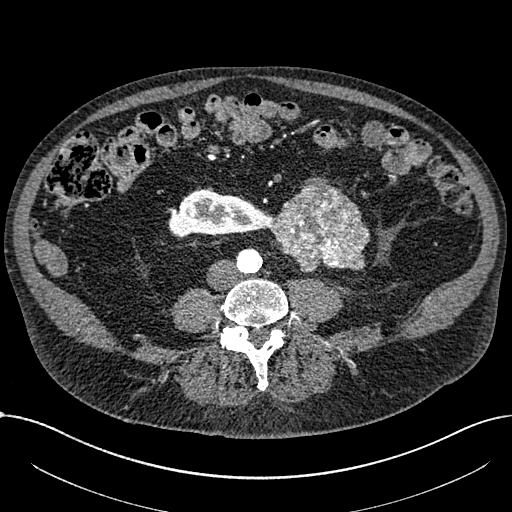
One axial slice (244 of 1059, counting up from the lowest) of an arterial-phase abdominal CT acquired with 100 kVp, kernel I30f; each pixel is 0.811 mm and the slice is 1.00 mm thick.
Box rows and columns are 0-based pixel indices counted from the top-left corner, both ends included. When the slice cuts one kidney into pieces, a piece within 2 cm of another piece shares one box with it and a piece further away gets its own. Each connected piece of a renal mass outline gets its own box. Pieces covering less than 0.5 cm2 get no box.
One kidney box and one renal mass box on this slice; by box centre, from the image's left to its right: (1) Right part of the midline-crossing kidney at rows 189–237, columns 168–272 (outlined area 3,543 px, about 23.3 cm2). (2) Renal mass at rows 179–272, columns 270–370 (outlined area 6,507 px, about 42.8 cm2).